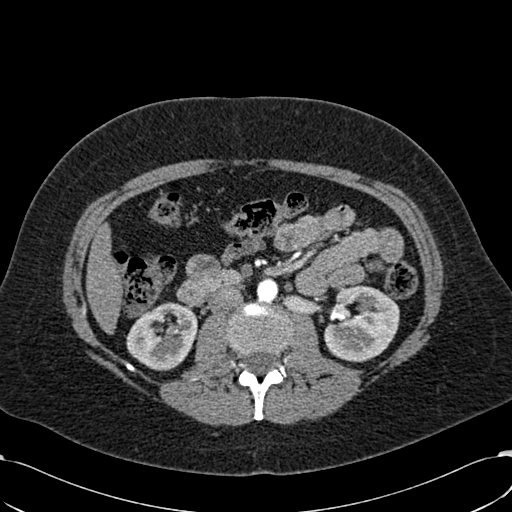
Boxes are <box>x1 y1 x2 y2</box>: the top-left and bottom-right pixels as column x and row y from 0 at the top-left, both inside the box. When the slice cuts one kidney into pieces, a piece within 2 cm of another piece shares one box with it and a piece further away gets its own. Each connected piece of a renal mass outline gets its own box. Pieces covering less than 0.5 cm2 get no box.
This is axial slice 328 of 532 (slice 1 is the lowest) of an arterial-phase abdominal CT with contrast; each pixel is 0.713 mm and the slice is 1.00 mm thick. Two boxes on this slice (two kidney boxes), listed by box centre from the image's left to its right. (1) At <box>126 302 197 370</box>: right kidney (outlined area 3,613 px, about 18.4 cm2). (2) Left kidney at <box>324 285 399 362</box> (outlined area 4,451 px, about 22.6 cm2). No renal mass is outlined on this slice.
Acquired at 120 kVp and reconstructed with the B30f kernel.